One axial slice (372 of 719, counting up from the lowest) of an arterial-phase abdominal CT acquired with 120 kVp, kernel B20f; each pixel is 0.766 mm and the slice is 1.00 mm thick.
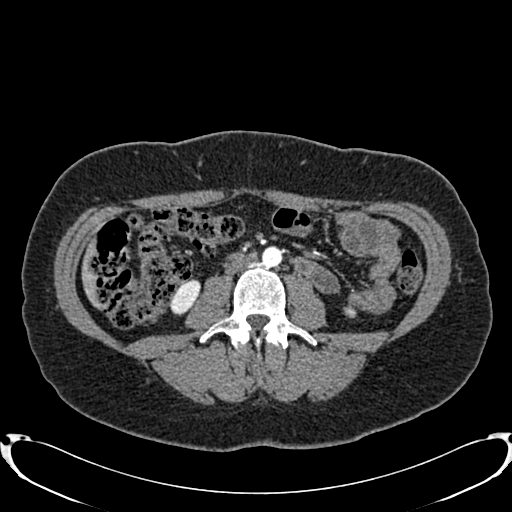
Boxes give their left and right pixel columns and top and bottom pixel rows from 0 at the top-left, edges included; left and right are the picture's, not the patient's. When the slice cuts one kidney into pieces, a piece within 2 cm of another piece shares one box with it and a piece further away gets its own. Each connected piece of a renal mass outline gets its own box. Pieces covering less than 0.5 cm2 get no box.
Boxed on this slice (two kidney boxes), listed by box centre from the image's left to its right: (1) Right kidney in the box with left 169, top 279, right 200, bottom 314 (outlined area 730 px, about 4.3 cm2). (2) Left kidney in the box with left 343, top 305, right 356, bottom 317 (outlined area 122 px, about 0.7 cm2). No renal mass outline on this slice.